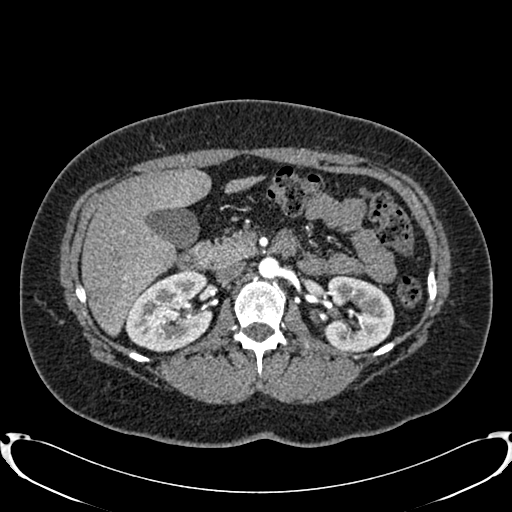
Axial slice 491 of 719 of a contrast-enhanced abdominal CT in the arterial phase (slice 1 is the lowest), 120 kVp, kernel B20f; 1.00 mm slice thickness and 0.766 mm pixels.
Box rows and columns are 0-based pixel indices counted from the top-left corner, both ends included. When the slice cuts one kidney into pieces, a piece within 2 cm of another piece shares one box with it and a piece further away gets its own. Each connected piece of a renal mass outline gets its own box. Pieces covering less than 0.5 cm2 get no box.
Two boxes on this slice (two kidney boxes), listed by box centre from the image's left to its right. (1) Right kidney at rows 269–352, columns 125–212 (outlined area 5,344 px, about 31.3 cm2). (2) Left kidney, box rows 275–351, columns 323–394 (outlined area 4,173 px, about 24.5 cm2). This slice carries no renal mass outline.